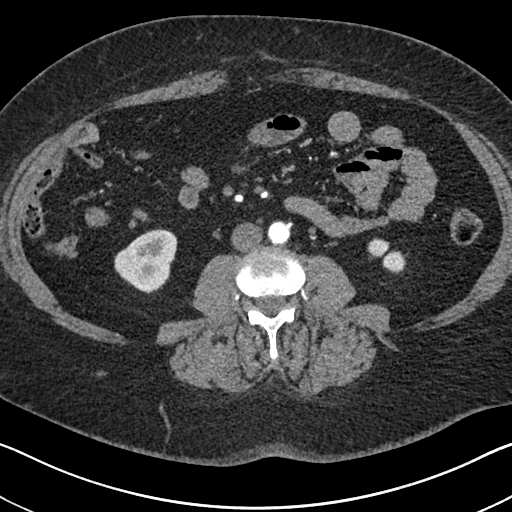
Abdominal CT with intravenous contrast, arterial phase, axial plane, 140 kVp, kernel I30f. Slice 295/591 from the bottom of the scan; thickness 1.00 mm; pixel size 0.703 mm.
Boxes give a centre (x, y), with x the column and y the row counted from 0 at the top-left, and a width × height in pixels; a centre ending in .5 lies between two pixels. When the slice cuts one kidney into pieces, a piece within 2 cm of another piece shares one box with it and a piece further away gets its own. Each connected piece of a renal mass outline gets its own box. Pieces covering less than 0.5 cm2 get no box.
Boxed on this slice (two kidney boxes), listed by box centre from the image's left to its right: (1) Right kidney, box centre (145.5, 260.5), 64 × 66 pixels (outlined area 2,897 px, about 14.3 cm2). (2) Box centre (387, 255), 41 × 37 pixels: left kidney (outlined area 798 px, about 3.9 cm2). No renal mass is outlined on this slice.